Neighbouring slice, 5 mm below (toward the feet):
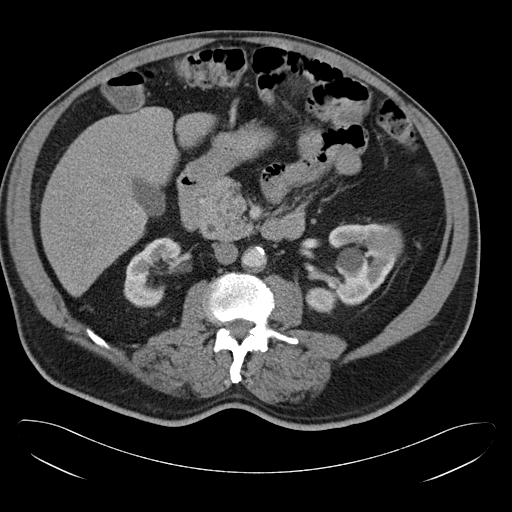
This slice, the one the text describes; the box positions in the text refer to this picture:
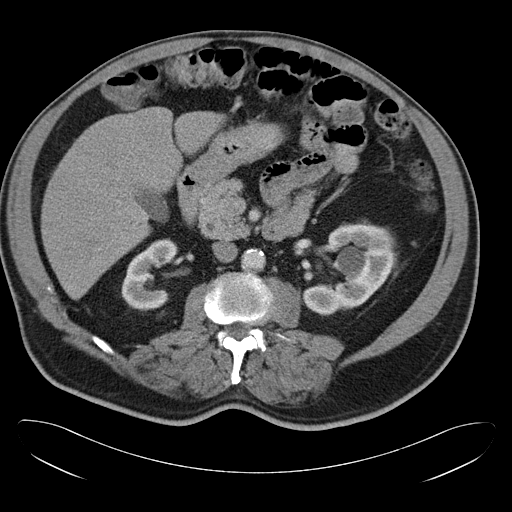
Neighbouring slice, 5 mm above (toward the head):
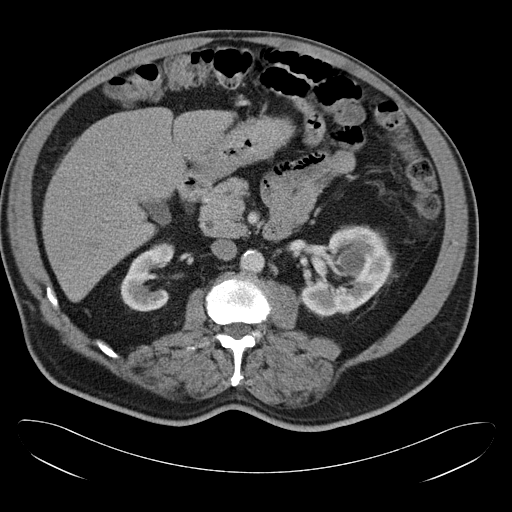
Abdominal CT with intravenous contrast, arterial phase, axial plane, 120 kVp, kernel B30f. Slice 18/34 from the bottom of the scan; thickness 5.00 mm; pixel size 0.830 mm.
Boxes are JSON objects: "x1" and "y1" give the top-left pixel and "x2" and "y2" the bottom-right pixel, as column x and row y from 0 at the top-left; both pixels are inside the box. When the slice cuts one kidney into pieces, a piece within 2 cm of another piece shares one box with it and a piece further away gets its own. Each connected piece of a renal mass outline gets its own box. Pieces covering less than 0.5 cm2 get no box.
Boxed on this slice (two kidney boxes and one renal mass box), listed by box centre from the image's left to its right: (1) Box {"x1": 121, "y1": 238, "x2": 178, "y2": 310}: right kidney (outlined area 2,468 px, about 17.0 cm2). (2) Left kidney, box {"x1": 301, "y1": 220, "x2": 396, "y2": 315} (outlined area 5,268 px, about 36.3 cm2). (3) Left renal mass at {"x1": 382, "y1": 234, "x2": 395, "y2": 250} (outlined area 155 px, about 1.1 cm2). This slice is near the end of the left renal mass toward the head, so the slices 5 mm below and 5 mm above it are shown as well; the boxes refer to this slice only.